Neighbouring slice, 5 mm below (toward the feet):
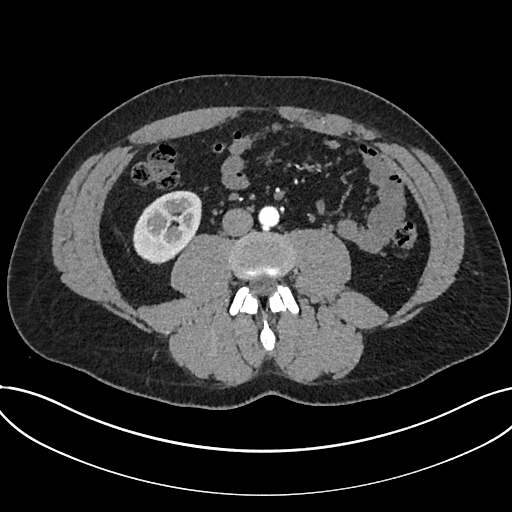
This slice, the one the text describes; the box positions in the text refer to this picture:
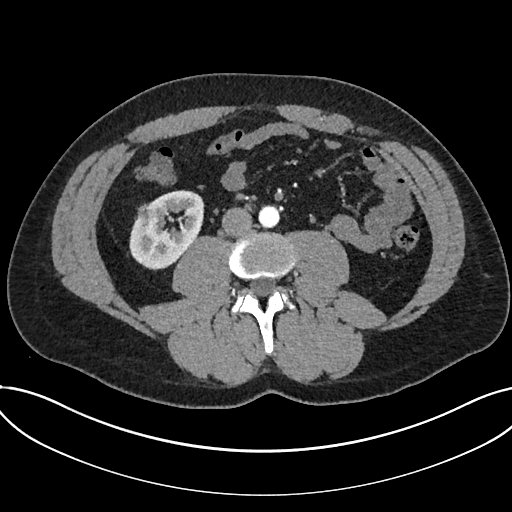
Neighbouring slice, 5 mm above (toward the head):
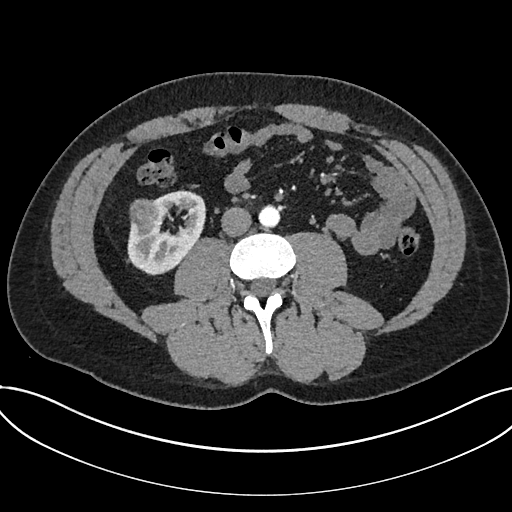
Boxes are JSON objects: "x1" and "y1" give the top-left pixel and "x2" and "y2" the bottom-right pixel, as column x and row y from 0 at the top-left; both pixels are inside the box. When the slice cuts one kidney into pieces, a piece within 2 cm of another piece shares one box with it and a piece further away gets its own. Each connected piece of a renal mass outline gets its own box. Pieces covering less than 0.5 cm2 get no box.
Arterial-phase contrast-enhanced abdominal CT, axial slice 314 of 735 (counted from the lowest slice); 1.00 mm thick, 0.789 mm per pixel. One kidney box and one renal mass box on this slice; by box centre, from the image's left to its right: (1) Renal mass, box {"x1": 137, "y1": 202, "x2": 158, "y2": 221} (outlined area 328 px, about 2.0 cm2). (2) Kidney at {"x1": 129, "y1": 190, "x2": 204, "y2": 269} (outlined area 3,964 px, about 24.7 cm2). This slice is near the end of a renal mass toward the feet, so the slices 5 mm below and 5 mm above it are shown as well; the boxes refer to this slice only.
Tube voltage 120 kVp; convolution kernel I30f.